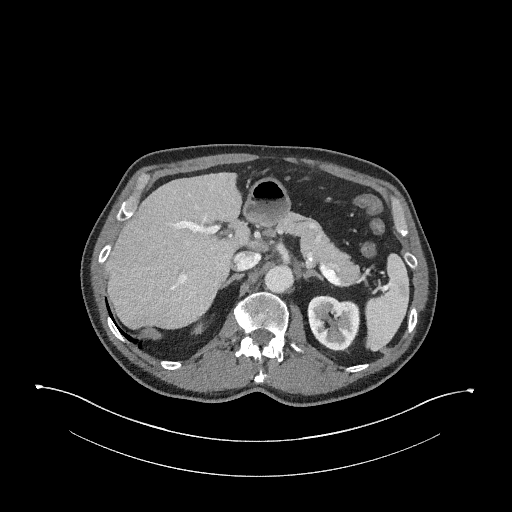
One axial slice (176 of 345, counting up from the lowest) of an arterial-phase abdominal CT acquired with 120 kVp, kernel I31f; each pixel is 0.977 mm and the slice is 2.00 mm thick.
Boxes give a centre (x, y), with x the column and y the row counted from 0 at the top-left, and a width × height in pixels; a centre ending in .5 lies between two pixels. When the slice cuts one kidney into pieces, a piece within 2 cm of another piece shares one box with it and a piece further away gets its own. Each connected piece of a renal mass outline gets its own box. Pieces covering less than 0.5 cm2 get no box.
Two boxes on this slice (two kidney boxes), listed by box centre from the image's left to its right. (1) Right kidney, box centre (198, 327.5), 15 × 14 pixels (outlined area 131 px, about 1.2 cm2). (2) Box centre (333.5, 323.5), 54 × 58 pixels: left kidney (outlined area 2,358 px, about 22.5 cm2). No renal mass is outlined on this slice.